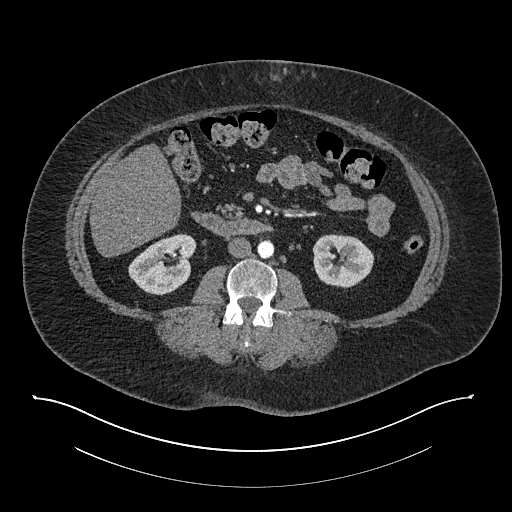
One axial slice (407 of 673, counting up from the lowest) of an arterial-phase abdominal CT acquired with 140 kVp, kernel I30f; each pixel is 0.957 mm and the slice is 1.00 mm thick.
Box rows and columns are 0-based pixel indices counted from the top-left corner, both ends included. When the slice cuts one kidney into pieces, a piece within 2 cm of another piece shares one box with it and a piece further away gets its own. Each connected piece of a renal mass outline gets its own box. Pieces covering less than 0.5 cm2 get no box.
Two boxes on this slice (two kidney boxes), listed by box centre from the image's left to its right. (1) Right kidney, box rows 233–295, columns 128–196 (outlined area 2,920 px, about 26.7 cm2). (2) Left kidney at rows 234–288, columns 312–374 (outlined area 2,600 px, about 23.8 cm2). No renal mass is outlined on this slice.